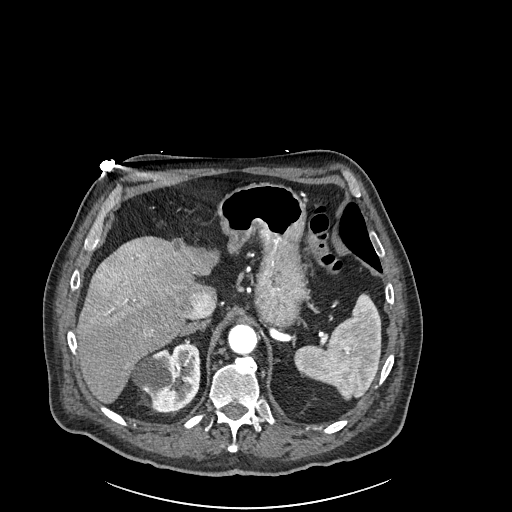
One axial slice (182 of 261, counting up from the lowest) of an arterial-phase abdominal CT acquired with 120 kVp, kernel I30f; each pixel is 0.939 mm and the slice is 2.00 mm thick.
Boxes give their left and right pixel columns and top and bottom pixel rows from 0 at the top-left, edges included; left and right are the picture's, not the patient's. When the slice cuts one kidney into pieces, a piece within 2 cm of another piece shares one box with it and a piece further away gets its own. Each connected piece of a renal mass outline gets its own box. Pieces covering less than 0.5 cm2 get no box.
Right kidney, the box with left 130, top 342, right 200, bottom 412 (outlined area 3,485 px, about 30.8 cm2). No renal mass outline on this slice.